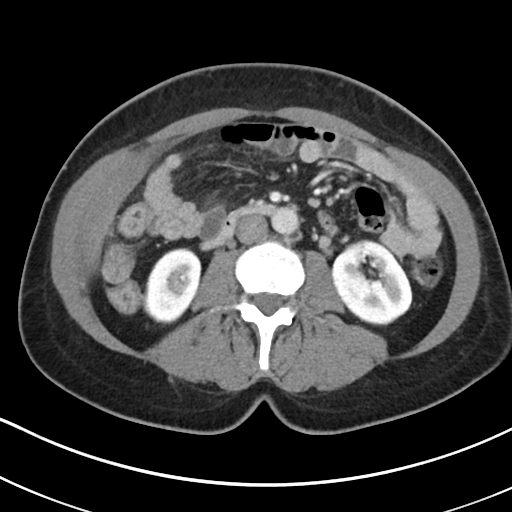
Axial slice 102 of 178 of a contrast-enhanced abdominal CT (slice 1 is the lowest), 100 kVp, kernel I30f; 5.00 mm slice thickness and 0.650 mm pixels.
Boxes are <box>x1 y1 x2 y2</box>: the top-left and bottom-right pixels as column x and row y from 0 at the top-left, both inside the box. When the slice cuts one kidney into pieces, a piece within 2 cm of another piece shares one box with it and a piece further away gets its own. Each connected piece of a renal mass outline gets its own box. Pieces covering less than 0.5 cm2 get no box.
Boxed on this slice (two kidney boxes), listed by box centre from the image's left to its right: (1) At <box>144 247 201 324</box>: right kidney (outlined area 3,312 px, about 14.0 cm2). (2) Left kidney at <box>331 239 412 325</box> (outlined area 5,189 px, about 21.9 cm2). No renal mass outline on this slice.